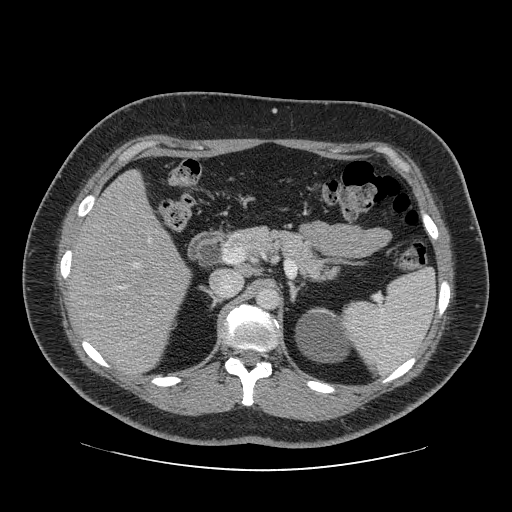
One axial slice (57 of 69, counting up from the lowest) of an arterial-phase abdominal CT acquired with 120 kVp, kernel STANDARD; each pixel is 0.846 mm and the slice is 2.50 mm thick.
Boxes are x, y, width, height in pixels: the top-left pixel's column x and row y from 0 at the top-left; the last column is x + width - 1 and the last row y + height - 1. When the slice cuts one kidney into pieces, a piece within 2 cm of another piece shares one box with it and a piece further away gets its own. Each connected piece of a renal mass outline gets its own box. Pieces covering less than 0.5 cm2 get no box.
Left kidney at x 295, y 307, width 57, height 56 (outlined area 2,386 px, about 17.1 cm2). No renal mass outline on this slice.